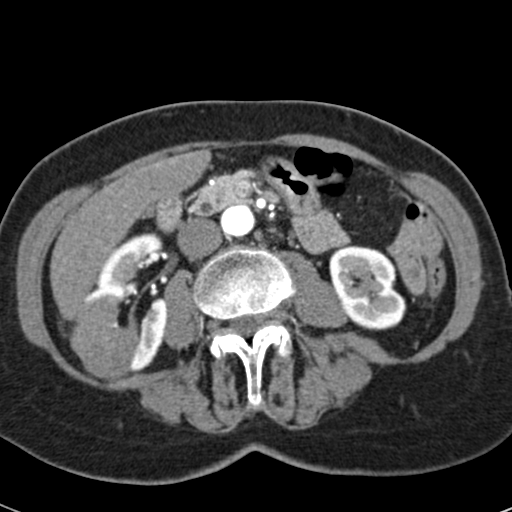
Abdominal CT with intravenous contrast, arterial phase, axial plane, 120 kVp, kernel B30f. Slice 22/53 from the bottom of the scan; thickness 3.00 mm; pixel size 0.547 mm.
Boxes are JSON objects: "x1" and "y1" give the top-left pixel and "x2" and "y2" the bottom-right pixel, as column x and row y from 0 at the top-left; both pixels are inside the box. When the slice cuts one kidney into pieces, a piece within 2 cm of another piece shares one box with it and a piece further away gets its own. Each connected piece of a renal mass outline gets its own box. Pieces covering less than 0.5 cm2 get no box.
Two kidney boxes and one renal mass box on this slice; by box centre, from the image's left to its right: (1) Right renal mass, box {"x1": 69, "y1": 293, "x2": 139, "y2": 380} (outlined area 4,419 px, about 13.2 cm2). (2) Right kidney, box {"x1": 79, "y1": 232, "x2": 168, "y2": 372} (outlined area 5,052 px, about 15.1 cm2). (3) Box {"x1": 329, "y1": 244, "x2": 406, "y2": 330}: left kidney (outlined area 4,894 px, about 14.6 cm2).